Abdominal CT with intravenous contrast, arterial phase, axial plane, 120 kVp, kernel I26f. Slice 328/548 from the bottom of the scan; thickness 1.00 mm; pixel size 0.852 mm.
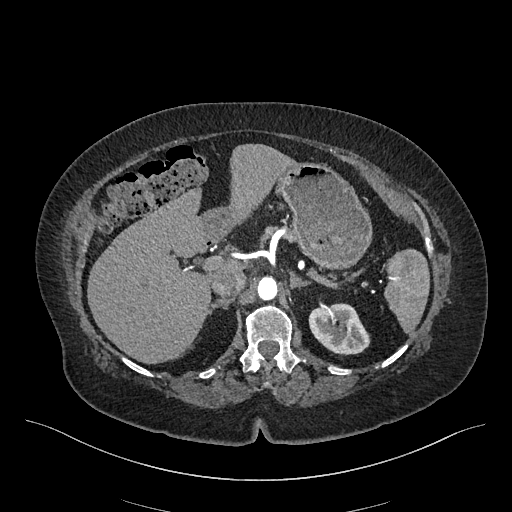
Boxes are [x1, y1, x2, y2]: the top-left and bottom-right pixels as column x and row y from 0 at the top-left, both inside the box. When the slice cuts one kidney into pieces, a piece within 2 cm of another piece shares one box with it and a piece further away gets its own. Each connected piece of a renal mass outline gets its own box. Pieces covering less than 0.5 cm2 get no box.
Left kidney at [308, 303, 370, 354] (outlined area 2,376 px, about 17.2 cm2). This slice carries no renal mass outline.